One axial slice (147 of 274, counting up from the lowest) of a contrast-enhanced abdominal CT acquired with 120 kVp, kernel B31f; each pixel is 0.977 mm and the slice is 2.00 mm thick.
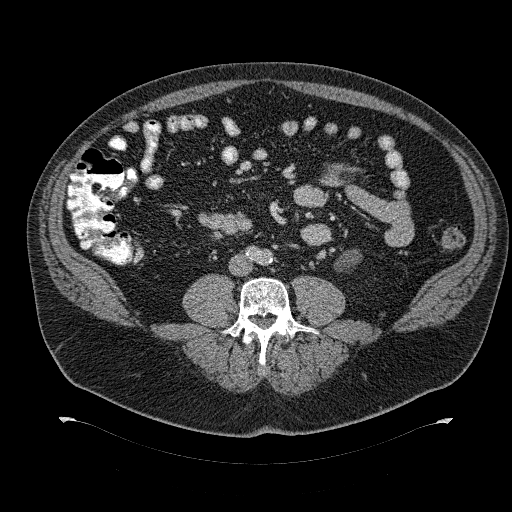
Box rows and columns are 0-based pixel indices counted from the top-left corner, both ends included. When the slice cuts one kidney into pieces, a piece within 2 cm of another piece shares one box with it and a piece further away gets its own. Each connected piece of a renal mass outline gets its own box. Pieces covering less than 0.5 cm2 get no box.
Box rows 249–271, columns 334–362: left kidney (outlined area 393 px, about 3.7 cm2). No renal mass is outlined on this slice.